Abdominal CT with intravenous contrast, arterial phase, axial plane, 120 kVp, kernel B30f. Slice 306/538 from the bottom of the scan; thickness 1.00 mm; pixel size 0.811 mm.
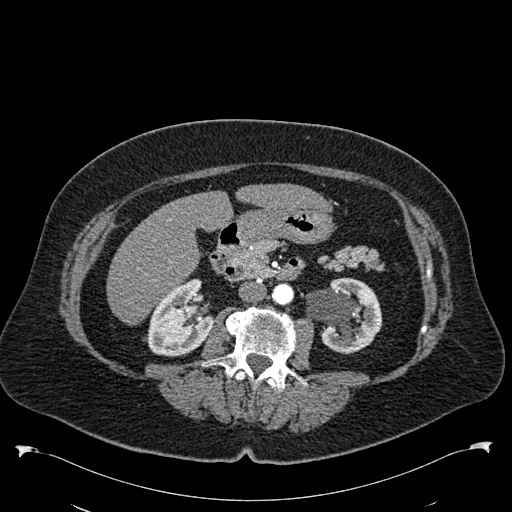
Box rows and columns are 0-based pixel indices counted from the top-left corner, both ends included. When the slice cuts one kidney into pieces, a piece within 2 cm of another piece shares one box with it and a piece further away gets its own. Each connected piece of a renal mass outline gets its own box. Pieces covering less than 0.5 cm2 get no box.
Boxed on this slice (two kidney boxes), listed by box centre from the image's left to its right: (1) Box rows 278–356, columns 146–213: right kidney (outlined area 3,706 px, about 24.3 cm2). (2) Left kidney, box rows 277–353, columns 304–382 (outlined area 4,125 px, about 27.1 cm2). No renal mass outline on this slice.